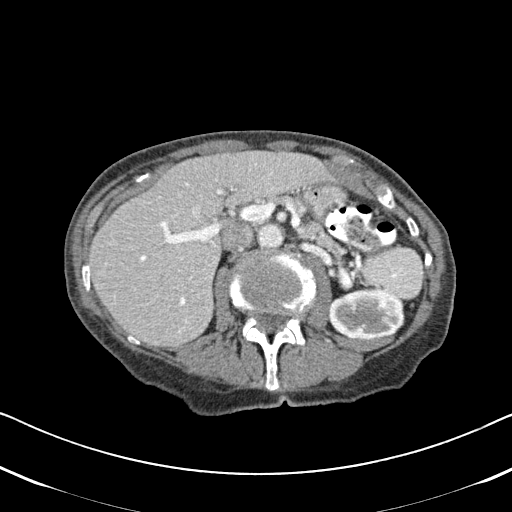
One axial slice (305 of 620, counting up from the lowest) of an arterial-phase abdominal CT acquired with 120 kVp, kernel B31f; each pixel is 0.637 mm and the slice is 2.00 mm thick.
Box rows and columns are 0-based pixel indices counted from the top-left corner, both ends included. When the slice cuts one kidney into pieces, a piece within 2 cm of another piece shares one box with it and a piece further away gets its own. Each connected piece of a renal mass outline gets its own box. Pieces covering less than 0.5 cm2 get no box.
Box rows 288–339, columns 328–404: left kidney (outlined area 3,231 px, about 13.1 cm2). This slice carries no renal mass outline.